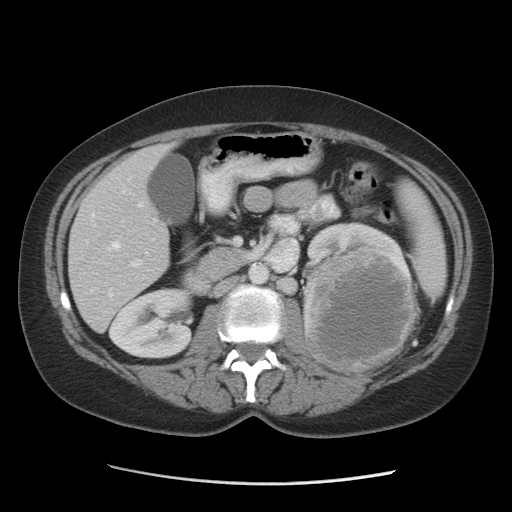
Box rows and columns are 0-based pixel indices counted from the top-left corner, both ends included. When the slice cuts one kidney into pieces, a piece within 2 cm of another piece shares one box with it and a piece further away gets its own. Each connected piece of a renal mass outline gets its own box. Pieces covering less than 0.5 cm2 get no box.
This is axial slice 52 of 84 (slice 1 is the lowest) of an abdominal CT with contrast; each pixel is 0.717 mm and the slice is 5.00 mm thick. Boxed on this slice (two kidney boxes and one renal mass box), listed by box centre from the image's left to its right: (1) Right kidney, box rows 287–358, columns 108–194 (outlined area 4,806 px, about 24.7 cm2). (2) Left kidney at rows 221–276, columns 302–405 (outlined area 2,298 px, about 11.8 cm2). (3) Box rows 245–374, columns 301–419: left renal mass (outlined area 12,360 px, about 63.5 cm2).
Tube voltage 140 kVp; convolution kernel STANDARD.